Arterial-phase contrast-enhanced abdominal CT, axial slice 192 of 548 (counted from the lowest slice); tube voltage 120 kVp, convolution kernel I26f; slices 1.00 mm thick, 0.852 mm per pixel.
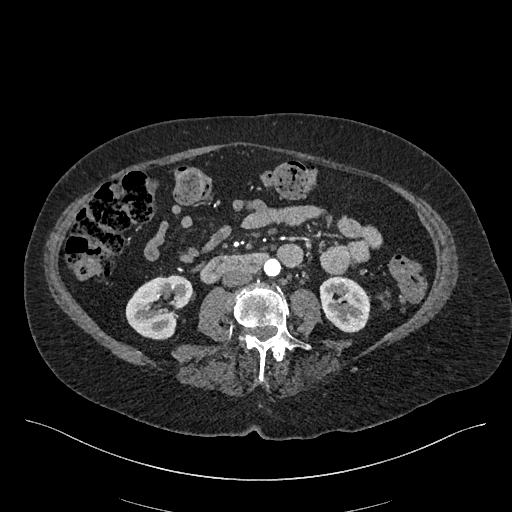
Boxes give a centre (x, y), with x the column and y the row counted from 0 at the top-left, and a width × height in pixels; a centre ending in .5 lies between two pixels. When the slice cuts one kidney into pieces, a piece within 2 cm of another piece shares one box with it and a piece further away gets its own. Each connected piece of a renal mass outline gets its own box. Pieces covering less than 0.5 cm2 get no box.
Boxed on this slice (two kidney boxes), listed by box centre from the image's left to its right: (1) Right kidney in a box with centre (158.5, 306.5), 68 × 66 pixels (outlined area 3,043 px, about 22.1 cm2). (2) Left kidney in a box with centre (344.5, 304), 52 × 57 pixels (outlined area 2,238 px, about 16.2 cm2).